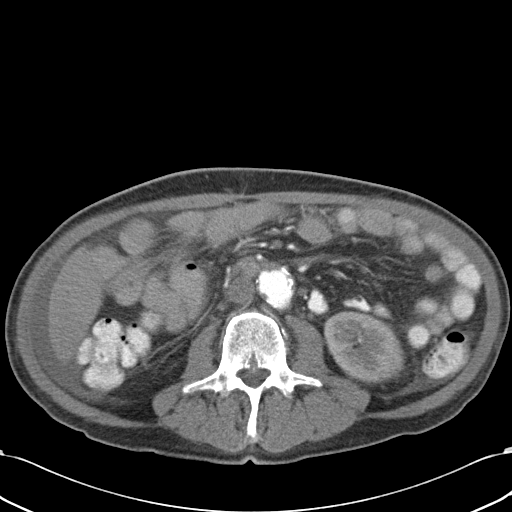
Abdominal CT with intravenous contrast, axial plane, 120 kVp, kernel B31f. Slice 6/43 from the bottom of the scan; thickness 5.00 mm; pixel size 0.701 mm.
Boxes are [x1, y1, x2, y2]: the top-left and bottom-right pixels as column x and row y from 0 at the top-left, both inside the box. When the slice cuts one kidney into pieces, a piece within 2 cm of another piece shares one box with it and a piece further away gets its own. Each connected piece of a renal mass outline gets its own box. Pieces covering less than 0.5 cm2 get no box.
Left kidney, box [324, 310, 404, 382] (outlined area 4,419 px, about 21.7 cm2). No renal mass outline on this slice.